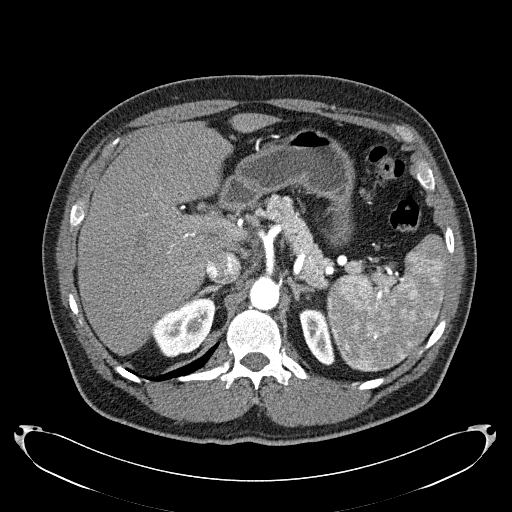
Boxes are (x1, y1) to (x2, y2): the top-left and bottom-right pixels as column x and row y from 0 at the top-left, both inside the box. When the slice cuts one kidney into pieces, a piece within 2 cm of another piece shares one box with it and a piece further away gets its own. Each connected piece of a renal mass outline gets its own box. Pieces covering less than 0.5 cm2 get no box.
This is axial slice 165 of 279 (slice 1 is the lowest) of an arterial-phase abdominal CT with contrast; each pixel is 0.824 mm and the slice is 2.00 mm thick. Two boxes on this slice (two kidney boxes), listed by box centre from the image's left to its right. (1) Right kidney, box (150, 297) to (215, 357) (outlined area 2,565 px, about 17.4 cm2). (2) Left kidney from (299, 308) to (334, 364) (outlined area 1,345 px, about 9.1 cm2). This slice carries no renal mass outline.
Acquired at 120 kVp and reconstructed with the B31f kernel.